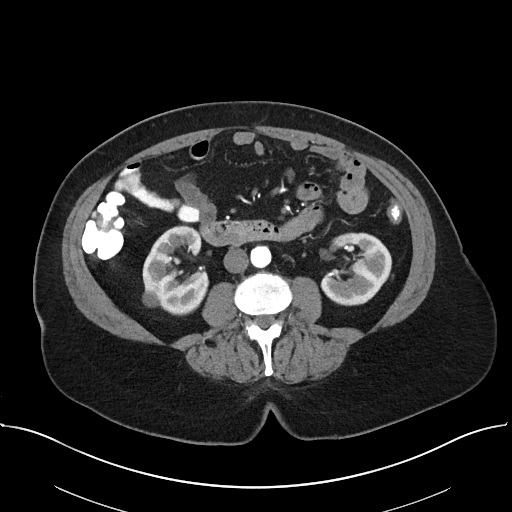
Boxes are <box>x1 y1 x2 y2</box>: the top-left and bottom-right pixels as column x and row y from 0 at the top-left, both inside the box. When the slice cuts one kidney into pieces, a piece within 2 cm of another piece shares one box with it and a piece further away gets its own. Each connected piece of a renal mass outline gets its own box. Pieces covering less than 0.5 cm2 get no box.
Arterial-phase contrast-enhanced abdominal CT, axial slice 13 of 38 (counted from the lowest slice); 5.00 mm thick, 0.822 mm per pixel. Boxed on this slice (two kidney boxes), listed by box centre from the image's left to its right: (1) At <box>142 223 208 315</box>: right kidney (outlined area 4,265 px, about 28.8 cm2). (2) Left kidney: <box>319 232 391 305</box> (outlined area 3,671 px, about 24.8 cm2). This slice carries no renal mass outline.
Acquired at 100 kVp and reconstructed with the I40f kernel.